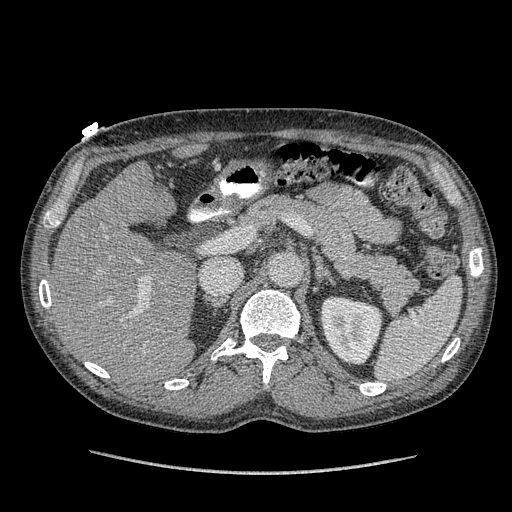
Arterial-phase contrast-enhanced abdominal CT, axial slice 248 of 349 (counted from the lowest slice); tube voltage 120 kVp, convolution kernel STANDARD; slices 1.25 mm thick, 0.742 mm per pixel.
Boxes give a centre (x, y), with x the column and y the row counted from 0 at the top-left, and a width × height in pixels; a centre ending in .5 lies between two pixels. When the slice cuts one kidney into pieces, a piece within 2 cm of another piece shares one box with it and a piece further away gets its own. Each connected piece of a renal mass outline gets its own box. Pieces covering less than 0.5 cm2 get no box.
Left kidney in a box with centre (351, 330), 65 × 69 pixels (outlined area 3,337 px, about 18.4 cm2). No renal mass outline on this slice.